One axial slice (78 of 129, counting up from the lowest) of an arterial-phase abdominal CT acquired with 140 kVp, kernel STANDARD; each pixel is 0.938 mm and the slice is 3.75 mm thick.
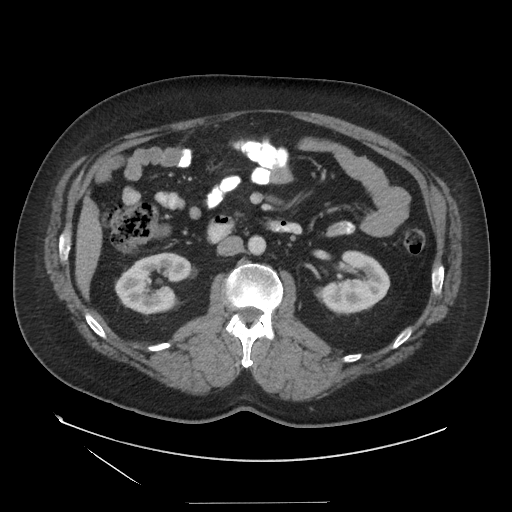
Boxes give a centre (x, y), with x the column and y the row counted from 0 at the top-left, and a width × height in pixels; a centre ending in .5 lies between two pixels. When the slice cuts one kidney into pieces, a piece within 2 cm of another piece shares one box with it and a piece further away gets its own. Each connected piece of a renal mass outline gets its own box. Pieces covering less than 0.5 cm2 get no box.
Two boxes on this slice (two kidney boxes), listed by box centre from the image's left to its right. (1) Right kidney in a box with centre (152, 283), 77 × 63 pixels (outlined area 3,258 px, about 28.6 cm2). (2) Box centre (355.5, 281.5), 70 × 64 pixels: left kidney (outlined area 3,100 px, about 27.2 cm2). No renal mass is outlined on this slice.